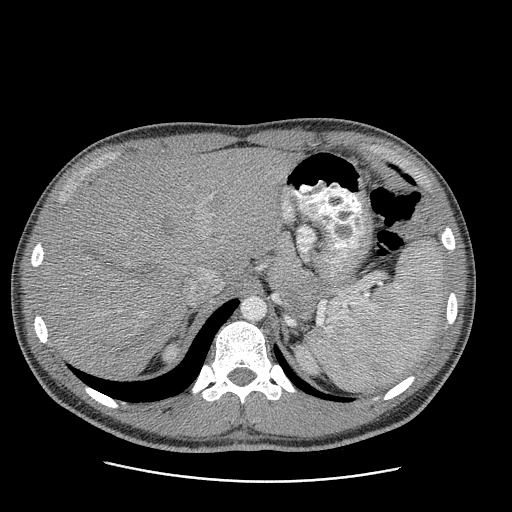
Arterial-phase contrast-enhanced abdominal CT, axial slice 173 of 199 (counted from the lowest slice); tube voltage 120 kVp, convolution kernel STANDARD; slices 2.50 mm thick, 0.789 mm per pixel.
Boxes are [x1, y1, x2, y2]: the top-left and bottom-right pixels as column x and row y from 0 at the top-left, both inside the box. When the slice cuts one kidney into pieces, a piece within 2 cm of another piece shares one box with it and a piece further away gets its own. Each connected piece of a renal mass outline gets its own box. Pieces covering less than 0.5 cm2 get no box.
Boxed on this slice (two kidney boxes), listed by box centre from the image's left to its right: (1) Right kidney at [160, 343, 175, 360] (outlined area 184 px, about 1.1 cm2). (2) Box [291, 342, 323, 379]: left kidney (outlined area 604 px, about 3.8 cm2). No renal mass outline on this slice.